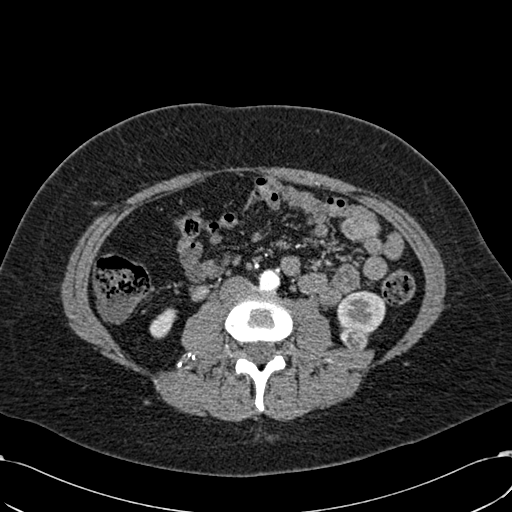
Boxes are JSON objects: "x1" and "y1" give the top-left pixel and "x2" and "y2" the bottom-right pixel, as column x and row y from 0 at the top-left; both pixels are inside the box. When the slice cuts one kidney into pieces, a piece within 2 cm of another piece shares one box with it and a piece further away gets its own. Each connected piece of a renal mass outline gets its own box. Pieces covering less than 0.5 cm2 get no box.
Slice 269/532 of a contrast-enhanced abdominal CT in the arterial phase, counting up from the lowest; pixel size 0.713 mm, slice thickness 1.00 mm. Boxed on this slice (two kidney boxes and one renal mass box), listed by box centre from the image's left to its right: (1) Right kidney at {"x1": 149, "y1": 308, "x2": 177, "y2": 338} (outlined area 548 px, about 2.8 cm2). (2) Box {"x1": 340, "y1": 329, "x2": 367, "y2": 351}: left renal mass (outlined area 502 px, about 2.6 cm2). (3) Box {"x1": 337, "y1": 290, "x2": 385, "y2": 333}: left kidney (outlined area 1,649 px, about 8.4 cm2).
Scan settings: 120 kVp, B30f reconstruction kernel.